Abdominal CT with intravenous contrast, arterial phase, axial plane, 120 kVp, kernel B20f. Slice 475/719 from the bottom of the scan; thickness 1.00 mm; pixel size 0.766 mm.
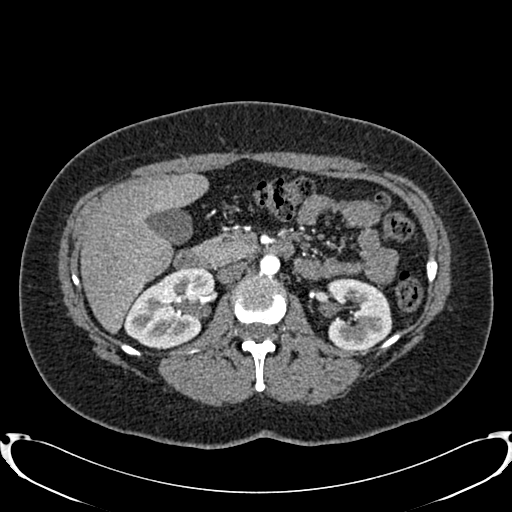
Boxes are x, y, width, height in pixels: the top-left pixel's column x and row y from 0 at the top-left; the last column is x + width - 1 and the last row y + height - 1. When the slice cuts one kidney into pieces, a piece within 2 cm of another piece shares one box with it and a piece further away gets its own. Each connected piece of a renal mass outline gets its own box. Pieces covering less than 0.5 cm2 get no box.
Two boxes on this slice (two kidney boxes), listed by box centre from the image's left to its right. (1) Right kidney, box x 123, y 268, width 92, height 82 (outlined area 5,206 px, about 30.5 cm2). (2) Left kidney, box x 326, y 278, width 67, height 73 (outlined area 3,786 px, about 22.2 cm2). No renal mass outline on this slice.